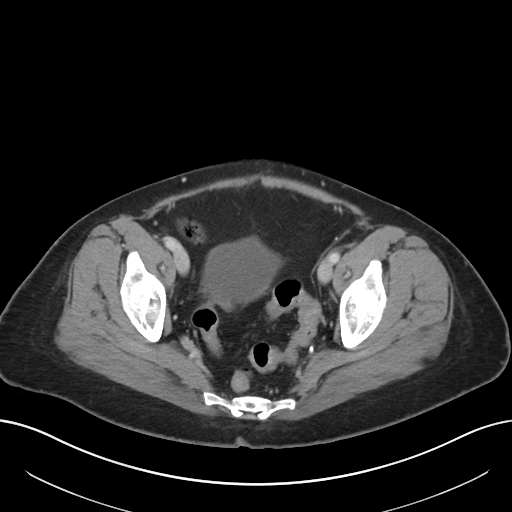
Contrast-enhanced abdominal CT, axial slice 47 of 197 (counted from the lowest slice); 5.00 mm thick, 0.791 mm per pixel. No kidney and no renal mass is outlined on this slice; the outlines in this scan cover only the kidneys and the renal masses, so nothing is said about any other organ.
Acquired at 120 kVp and reconstructed with the I30f kernel.